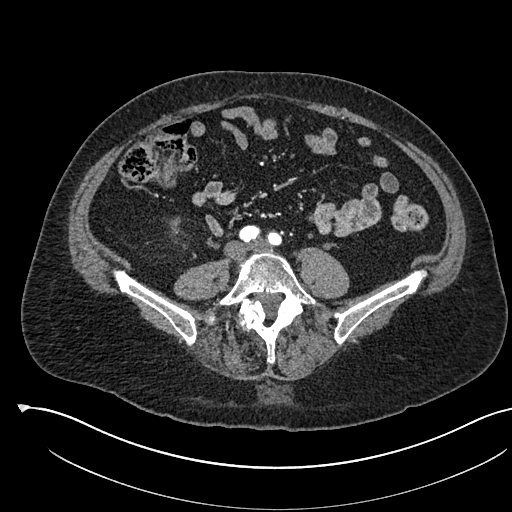
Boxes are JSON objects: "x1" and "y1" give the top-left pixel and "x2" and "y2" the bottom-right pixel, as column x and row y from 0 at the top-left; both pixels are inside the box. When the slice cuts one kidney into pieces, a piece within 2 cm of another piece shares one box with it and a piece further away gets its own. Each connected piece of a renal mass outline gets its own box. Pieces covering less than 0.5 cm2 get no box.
Arterial-phase contrast-enhanced abdominal CT, axial slice 182 of 541 (counted from the lowest slice); 1.00 mm thick, 0.834 mm per pixel. Right kidney, box {"x1": 169, "y1": 217, "x2": 180, "y2": 235} (outlined area 152 px, about 1.1 cm2). No renal mass is outlined on this slice.
Scan settings: 120 kVp, I30f reconstruction kernel.